Contrast-enhanced abdominal CT, axial slice 12 of 75 (counted from the lowest slice); tube voltage 140 kVp, convolution kernel B30f; slices 3.00 mm thick, 0.875 mm per pixel.
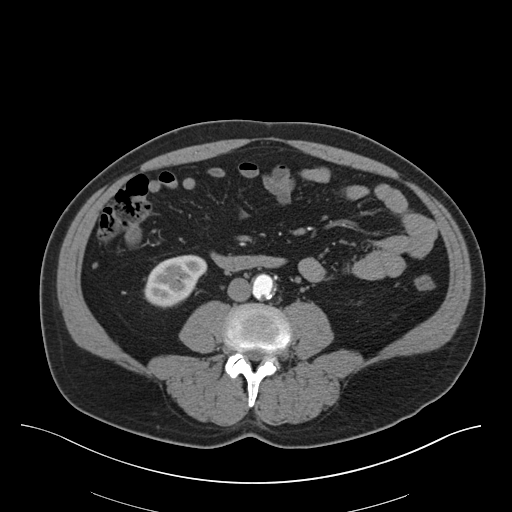
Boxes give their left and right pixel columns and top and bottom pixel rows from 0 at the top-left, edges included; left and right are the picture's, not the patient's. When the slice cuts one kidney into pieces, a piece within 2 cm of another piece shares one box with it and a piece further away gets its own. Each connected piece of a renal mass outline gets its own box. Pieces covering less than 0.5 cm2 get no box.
Right kidney, the box with left 143, top 254, right 207, bottom 308 (outlined area 2,370 px, about 18.1 cm2). No renal mass is outlined on this slice.